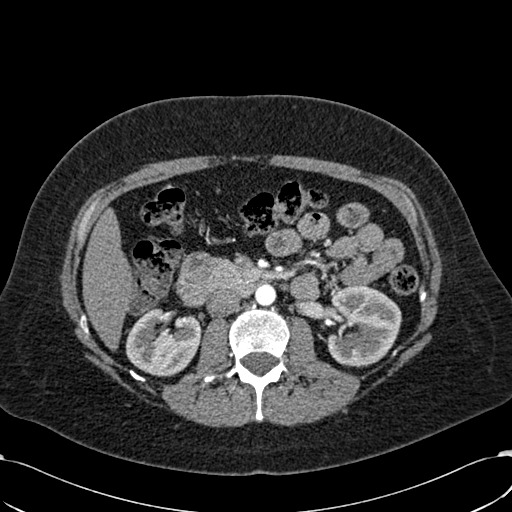
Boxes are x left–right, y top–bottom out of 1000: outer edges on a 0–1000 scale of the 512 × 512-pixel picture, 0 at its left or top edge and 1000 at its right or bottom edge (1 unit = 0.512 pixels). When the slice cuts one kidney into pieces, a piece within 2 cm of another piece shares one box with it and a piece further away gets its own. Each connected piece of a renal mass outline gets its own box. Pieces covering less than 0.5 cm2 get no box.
Arterial-phase contrast-enhanced abdominal CT, axial slice 347 of 532 (counted from the lowest slice); 1.00 mm thick, 0.713 mm per pixel. Two kidney boxes on this slice; by box centre, from the image's left to its right: (1) Right kidney at x 244–395, y 600–736 out of 1000 (outlined area 3,911 px, about 19.9 cm2). (2) Left kidney at x 635–785, y 555–719 out of 1000 (outlined area 4,863 px, about 24.7 cm2). This slice carries no renal mass outline.
Scan settings: 120 kVp, B30f reconstruction kernel.